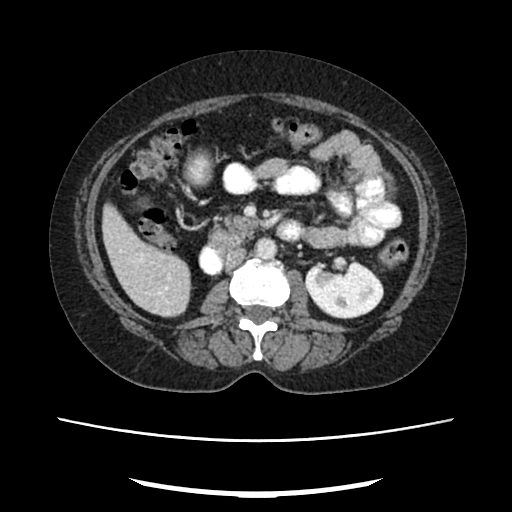
One axial slice (131 of 207, counting up from the lowest) of an arterial-phase abdominal CT acquired with 120 kVp, kernel FC18; each pixel is 0.741 mm and the slice is 2.00 mm thick.
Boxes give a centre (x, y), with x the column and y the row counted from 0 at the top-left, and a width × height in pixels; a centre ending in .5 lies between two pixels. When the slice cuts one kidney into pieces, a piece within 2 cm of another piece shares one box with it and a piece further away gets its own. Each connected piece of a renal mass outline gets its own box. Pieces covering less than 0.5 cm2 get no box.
Left kidney, box centre (343.5, 289), 80 × 61 pixels (outlined area 3,582 px, about 19.7 cm2). No renal mass is outlined on this slice.